Abdominal CT with intravenous contrast, arterial phase, axial plane, 100 kVp, kernel I30f. Slice 149/304 from the bottom of the scan; thickness 2.00 mm; pixel size 0.809 mm.
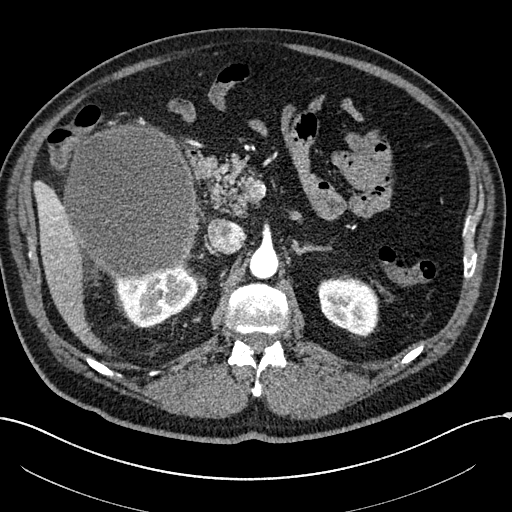
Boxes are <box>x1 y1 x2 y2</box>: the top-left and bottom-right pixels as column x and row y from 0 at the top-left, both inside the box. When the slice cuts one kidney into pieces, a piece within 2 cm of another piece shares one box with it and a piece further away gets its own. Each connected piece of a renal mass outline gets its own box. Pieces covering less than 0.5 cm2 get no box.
Two kidney boxes and one renal mass box on this slice; by box centre, from the image's left to its right: (1) Right renal mass at <box>62 123 198 280</box> (outlined area 16,935 px, about 110.7 cm2). (2) Right kidney at <box>111 265 198 327</box> (outlined area 3,371 px, about 22.0 cm2). (3) At <box>318 278 378 335</box>: left kidney (outlined area 2,700 px, about 17.7 cm2).